Axial slice 436 of 723 of a contrast-enhanced abdominal CT in the arterial phase (slice 1 is the lowest), 120 kVp, kernel B30f; 1.00 mm slice thickness and 0.895 mm pixels.
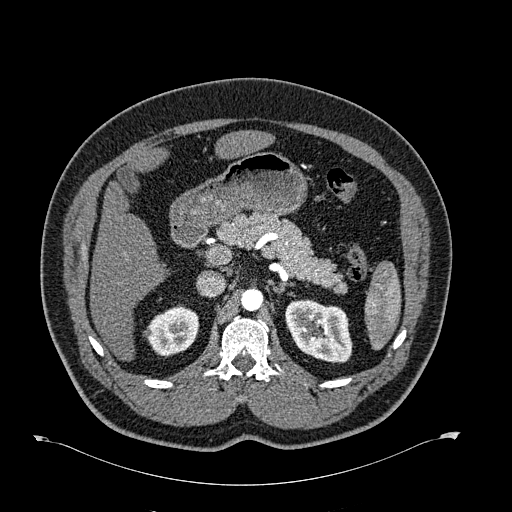
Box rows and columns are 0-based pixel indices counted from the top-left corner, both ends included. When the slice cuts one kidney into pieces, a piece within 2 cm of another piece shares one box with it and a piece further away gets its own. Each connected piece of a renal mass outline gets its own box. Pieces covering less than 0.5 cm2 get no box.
Two boxes on this slice (two kidney boxes), listed by box centre from the image's left to its right. (1) Box rows 304–356, columns 143–198: right kidney (outlined area 2,069 px, about 16.6 cm2). (2) Box rows 299–363, columns 285–352: left kidney (outlined area 3,290 px, about 26.3 cm2). This slice carries no renal mass outline.